Axial slice 360 of 673 of a contrast-enhanced abdominal CT in the arterial phase (slice 1 is the lowest), 140 kVp, kernel I30f; 1.00 mm slice thickness and 0.957 mm pixels.
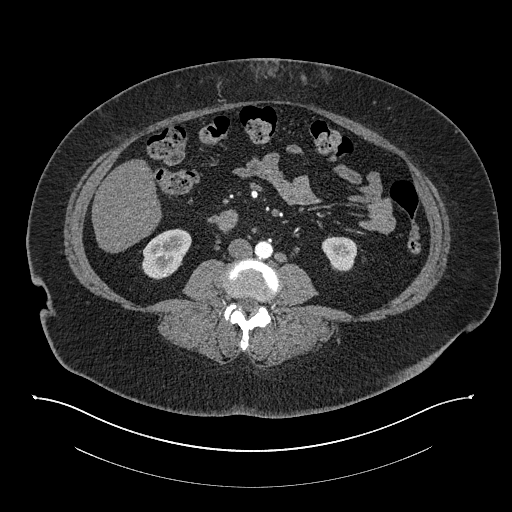
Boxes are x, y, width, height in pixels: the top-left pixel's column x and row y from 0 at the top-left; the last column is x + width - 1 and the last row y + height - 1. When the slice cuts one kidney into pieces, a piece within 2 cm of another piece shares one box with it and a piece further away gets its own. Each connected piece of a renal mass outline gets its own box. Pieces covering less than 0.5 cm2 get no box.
Two boxes on this slice (two kidney boxes), listed by box centre from the image's left to its right. (1) Box x 142, y 228, width 50, height 52: right kidney (outlined area 1,818 px, about 16.7 cm2). (2) Left kidney, box x 321, y 236, width 37, height 36 (outlined area 986 px, about 9.0 cm2). No renal mass is outlined on this slice.